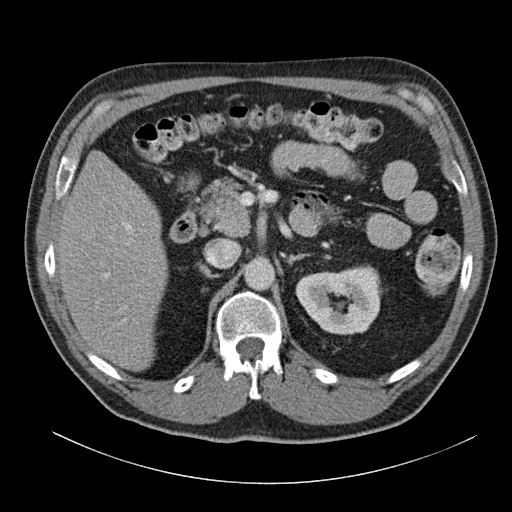
Arterial-phase contrast-enhanced abdominal CT, axial slice 80 of 140 (counted from the lowest slice); tube voltage 120 kVp, convolution kernel B31f; slices 5.00 mm thick, 0.754 mm per pixel.
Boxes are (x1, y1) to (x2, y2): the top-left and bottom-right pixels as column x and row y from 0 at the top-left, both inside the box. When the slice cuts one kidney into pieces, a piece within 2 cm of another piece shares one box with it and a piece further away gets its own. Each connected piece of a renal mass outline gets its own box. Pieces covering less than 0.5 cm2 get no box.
Left kidney, box (295, 265) to (382, 334) (outlined area 4,544 px, about 25.8 cm2). No renal mass outline on this slice.